Axial slice 178 of 345 of a contrast-enhanced abdominal CT in the arterial phase (slice 1 is the lowest), 120 kVp, kernel I31f; 2.00 mm slice thickness and 0.977 mm pixels.
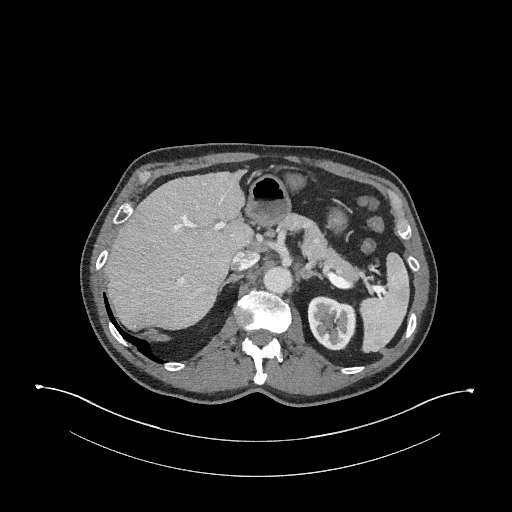
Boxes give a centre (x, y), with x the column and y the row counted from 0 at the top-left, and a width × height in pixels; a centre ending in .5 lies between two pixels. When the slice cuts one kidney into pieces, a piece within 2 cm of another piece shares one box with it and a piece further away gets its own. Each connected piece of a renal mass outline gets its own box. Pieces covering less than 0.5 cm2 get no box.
Left kidney in a box with centre (331.5, 323), 50 × 55 pixels (outlined area 2,119 px, about 20.2 cm2). No renal mass is outlined on this slice.